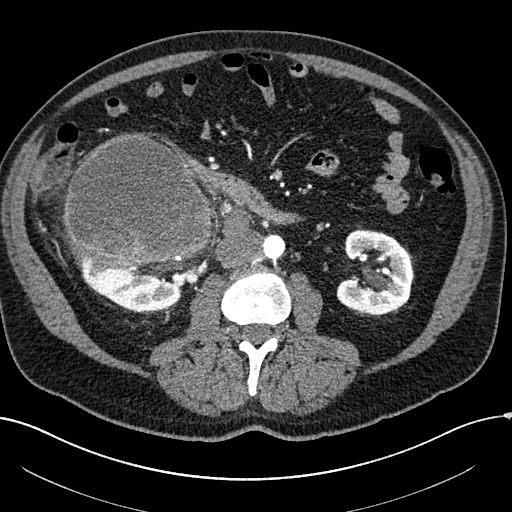
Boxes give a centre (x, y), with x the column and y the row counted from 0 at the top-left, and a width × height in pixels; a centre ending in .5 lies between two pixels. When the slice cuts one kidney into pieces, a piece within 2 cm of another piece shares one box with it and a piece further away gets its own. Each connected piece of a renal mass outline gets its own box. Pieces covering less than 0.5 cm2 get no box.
Slice 87/304 of a contrast-enhanced abdominal CT in the arterial phase, counting up from the lowest; pixel size 0.809 mm, slice thickness 2.00 mm. Three boxes on this slice (two kidney boxes and one renal mass box), listed by box centre from the image's left to its right. (1) Right kidney in a box with centre (129, 284.5), 103 × 56 pixels (outlined area 3,832 px, about 25.1 cm2). (2) Right renal mass in a box with centre (137, 200), 149 × 137 pixels (outlined area 15,585 px, about 101.9 cm2). (3) Left kidney in a box with centre (375, 272), 79 × 91 pixels (outlined area 4,895 px, about 32.0 cm2).
Acquired at 100 kVp and reconstructed with the I30f kernel.